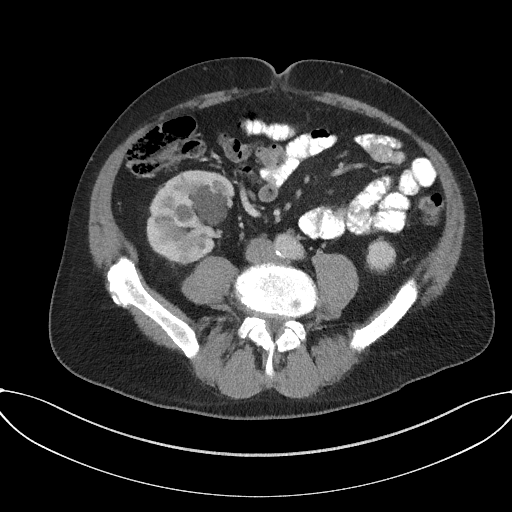
One axial slice (72 of 227, counting up from the lowest) of an arterial-phase abdominal CT acquired with 120 kVp, kernel I31f; each pixel is 0.816 mm and the slice is 3.00 mm thick.
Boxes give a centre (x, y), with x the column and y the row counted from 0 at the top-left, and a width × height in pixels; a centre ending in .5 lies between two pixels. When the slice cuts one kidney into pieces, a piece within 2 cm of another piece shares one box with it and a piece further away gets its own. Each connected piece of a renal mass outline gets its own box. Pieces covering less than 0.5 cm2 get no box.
Boxed on this slice (two kidney boxes), listed by box centre from the image's left to its right: (1) Right kidney, box centre (190, 216.5), 89 × 94 pixels (outlined area 6,195 px, about 41.3 cm2). (2) Box centre (381, 255), 31 × 39 pixels: left kidney (outlined area 852 px, about 5.7 cm2). No renal mass is outlined on this slice.